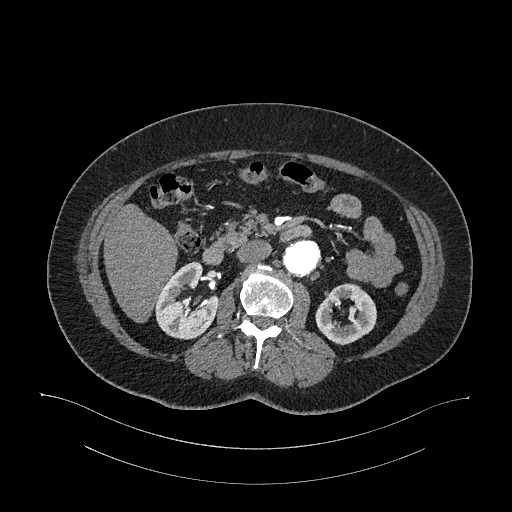
Abdominal CT with intravenous contrast, arterial phase, axial plane, 120 kVp, kernel I26f. Slice 641/987 from the bottom of the scan; thickness 1.00 mm; pixel size 0.977 mm.
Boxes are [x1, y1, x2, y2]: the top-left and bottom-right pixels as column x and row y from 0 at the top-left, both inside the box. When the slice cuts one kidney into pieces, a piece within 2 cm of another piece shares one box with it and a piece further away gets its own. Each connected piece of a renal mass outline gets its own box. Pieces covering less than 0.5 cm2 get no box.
Two boxes on this slice (two kidney boxes), listed by box centre from the image's left to its right. (1) Right kidney, box [155, 261, 218, 339] (outlined area 3,310 px, about 31.6 cm2). (2) Left kidney at [315, 283, 376, 344] (outlined area 2,574 px, about 24.5 cm2). No renal mass outline on this slice.